One axial slice (147 of 285, counting up from the lowest) of an arterial-phase abdominal CT acquired with 120 kVp, kernel B31f; each pixel is 0.762 mm and the slice is 2.00 mm thick.
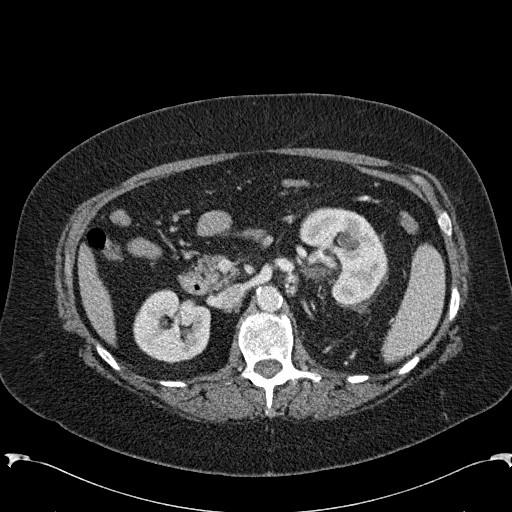
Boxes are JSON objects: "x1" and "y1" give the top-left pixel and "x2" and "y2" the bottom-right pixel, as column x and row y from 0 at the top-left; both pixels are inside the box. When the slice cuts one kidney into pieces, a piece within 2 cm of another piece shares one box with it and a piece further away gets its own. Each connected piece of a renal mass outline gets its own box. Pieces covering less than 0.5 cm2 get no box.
Two boxes on this slice (two kidney boxes), listed by box centre from the image's left to its right. (1) Box {"x1": 133, "y1": 289, "x2": 210, "y2": 362}: right kidney (outlined area 4,401 px, about 25.5 cm2). (2) Left kidney at {"x1": 299, "y1": 207, "x2": 388, "y2": 304} (outlined area 6,111 px, about 35.5 cm2). This slice carries no renal mass outline.